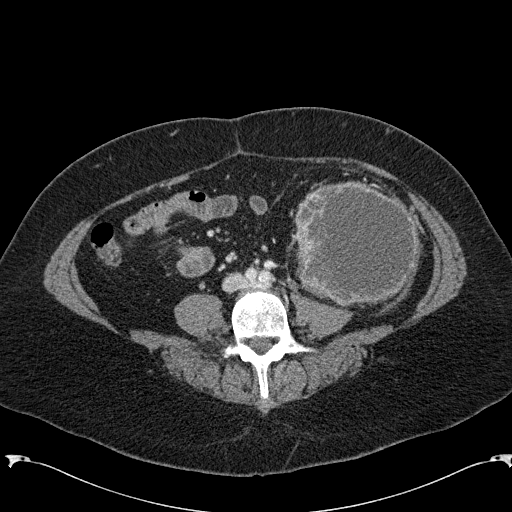
Arterial-phase contrast-enhanced abdominal CT, axial slice 46 of 285 (counted from the lowest slice); tube voltage 120 kVp, convolution kernel B31f; slices 2.00 mm thick, 0.762 mm per pixel.
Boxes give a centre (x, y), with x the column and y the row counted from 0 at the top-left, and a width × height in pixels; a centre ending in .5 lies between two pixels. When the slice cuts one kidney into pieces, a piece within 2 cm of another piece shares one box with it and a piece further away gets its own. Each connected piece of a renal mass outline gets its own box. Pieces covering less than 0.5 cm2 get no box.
Box centre (356, 243.5), 129 × 126 pixels: left renal mass (outlined area 12,696 px, about 73.7 cm2); no kidney is outlined on this slice, but the same outlined renal mass comes within 1 cm of the kidney on another slice.